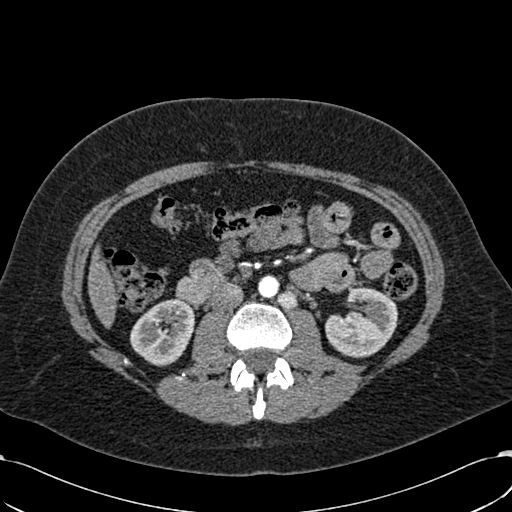
Abdominal CT with intravenous contrast, arterial phase, axial plane, 120 kVp, kernel B30f. Slice 315/532 from the bottom of the scan; thickness 1.00 mm; pixel size 0.713 mm.
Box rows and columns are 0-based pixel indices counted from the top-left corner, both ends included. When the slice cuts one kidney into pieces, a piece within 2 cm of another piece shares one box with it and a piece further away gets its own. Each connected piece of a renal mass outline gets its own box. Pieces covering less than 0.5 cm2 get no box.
Two boxes on this slice (two kidney boxes), listed by box centre from the image's left to its right. (1) Right kidney, box rows 298–366, columns 130–194 (outlined area 3,205 px, about 16.3 cm2). (2) Box rows 286–358, columns 325–398: left kidney (outlined area 3,744 px, about 19.0 cm2). No renal mass is outlined on this slice.